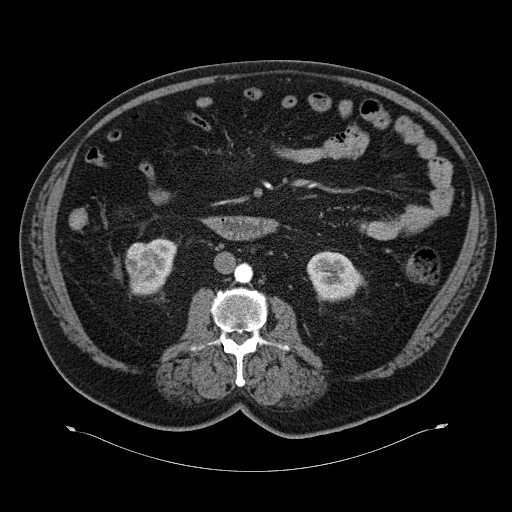
Axial slice 27 of 70 of a contrast-enhanced abdominal CT in the arterial phase (slice 1 is the lowest), 120 kVp, kernel B30f; 5.00 mm slice thickness and 0.977 mm pixels.
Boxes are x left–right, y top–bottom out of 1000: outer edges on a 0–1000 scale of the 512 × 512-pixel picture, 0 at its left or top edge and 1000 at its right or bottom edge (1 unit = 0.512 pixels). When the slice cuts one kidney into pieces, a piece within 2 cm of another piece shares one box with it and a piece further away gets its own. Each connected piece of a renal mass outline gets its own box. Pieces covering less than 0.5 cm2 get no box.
Two kidney boxes and one renal mass box on this slice; by box centre, from the image's left to its right: (1) Box x 244–305, y 473–551 out of 1000: right renal mass (outlined area 981 px, about 9.4 cm2). (2) Right kidney at x 254–348, y 465–578 out of 1000 (outlined area 1,294 px, about 12.3 cm2). (3) Box x 598–717, y 490–590 out of 1000: left kidney (outlined area 2,143 px, about 20.4 cm2).